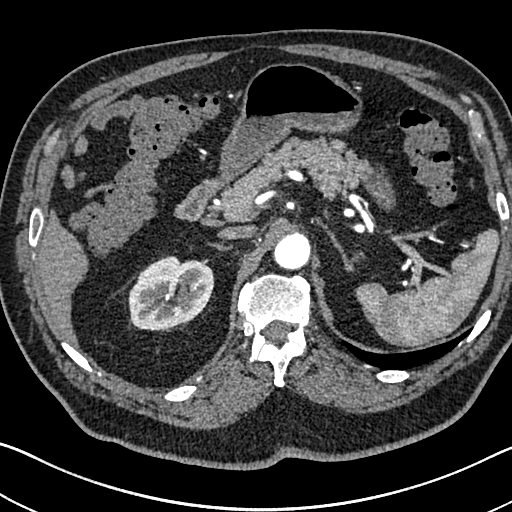
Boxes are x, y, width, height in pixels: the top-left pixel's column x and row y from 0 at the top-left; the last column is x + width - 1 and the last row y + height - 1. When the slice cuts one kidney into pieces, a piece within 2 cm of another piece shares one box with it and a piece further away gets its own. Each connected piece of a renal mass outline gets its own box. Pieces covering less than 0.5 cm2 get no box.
Arterial-phase contrast-enhanced abdominal CT, axial slice 513 of 705 (counted from the lowest slice); 1.00 mm thick, 0.703 mm per pixel. Right kidney, box x 128, y 256, width 87, height 75 (outlined area 4,930 px, about 24.4 cm2). This slice carries no renal mass outline.
Acquired at 120 kVp and reconstructed with the I30f kernel.